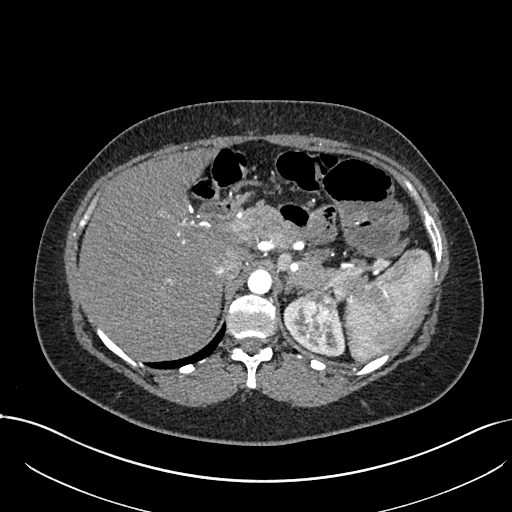
Axial slice 543 of 738 of a contrast-enhanced abdominal CT in the arterial phase (slice 1 is the lowest), 120 kVp, kernel I30f; 1.00 mm slice thickness and 0.789 mm pixels.
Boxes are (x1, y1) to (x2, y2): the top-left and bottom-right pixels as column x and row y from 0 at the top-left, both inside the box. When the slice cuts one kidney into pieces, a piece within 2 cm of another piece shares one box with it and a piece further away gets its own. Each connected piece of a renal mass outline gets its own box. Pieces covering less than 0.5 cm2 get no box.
Boxed on this slice (one kidney box and one renal mass box), listed by box centre from the image's left to its right: (1) Box (283, 297) to (344, 356): left kidney (outlined area 1,491 px, about 9.3 cm2). (2) Left renal mass from (298, 291) to (336, 343) (outlined area 1,511 px, about 9.4 cm2).